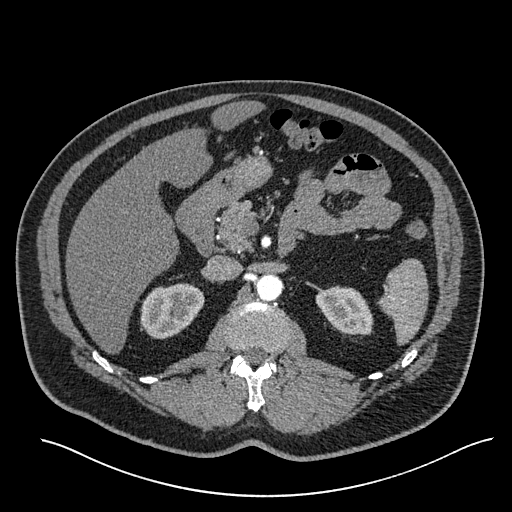
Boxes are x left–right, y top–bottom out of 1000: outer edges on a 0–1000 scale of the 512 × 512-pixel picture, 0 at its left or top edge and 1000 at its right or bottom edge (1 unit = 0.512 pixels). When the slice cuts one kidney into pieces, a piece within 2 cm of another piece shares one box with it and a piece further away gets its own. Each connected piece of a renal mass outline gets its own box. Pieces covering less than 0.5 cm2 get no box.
Arterial-phase contrast-enhanced abdominal CT, axial slice 375 of 527 (counted from the lowest slice); 1.00 mm thick, 0.859 mm per pixel. Two boxes on this slice (two kidney boxes), listed by box centre from the image's left to its right. (1) Right kidney, box x 273–400, y 553–664 out of 1000 (outlined area 2,710 px, about 20.0 cm2). (2) Left kidney, box x 615–729, y 559–654 out of 1000 (outlined area 2,078 px, about 15.3 cm2). No renal mass is outlined on this slice.
Scan settings: 120 kVp, I30f reconstruction kernel.